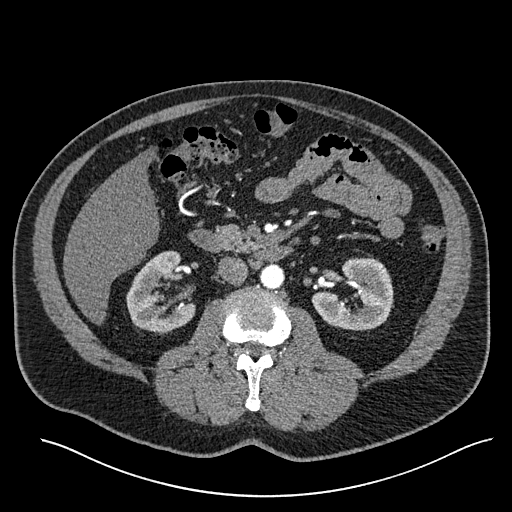
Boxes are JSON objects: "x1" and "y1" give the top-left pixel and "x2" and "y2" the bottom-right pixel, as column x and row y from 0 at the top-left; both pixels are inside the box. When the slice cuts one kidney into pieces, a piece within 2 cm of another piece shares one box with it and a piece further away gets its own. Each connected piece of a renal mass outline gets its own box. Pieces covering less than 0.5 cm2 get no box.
This is axial slice 313 of 527 (slice 1 is the lowest) of an arterial-phase abdominal CT with contrast; each pixel is 0.859 mm and the slice is 1.00 mm thick. Two boxes on this slice (two kidney boxes), listed by box centre from the image's left to its right. (1) Right kidney at {"x1": 126, "y1": 250, "x2": 195, "y2": 333} (outlined area 3,872 px, about 28.6 cm2). (2) Left kidney, box {"x1": 311, "y1": 255, "x2": 393, "y2": 330} (outlined area 4,171 px, about 30.8 cm2).
Acquired at 120 kVp and reconstructed with the I30f kernel.